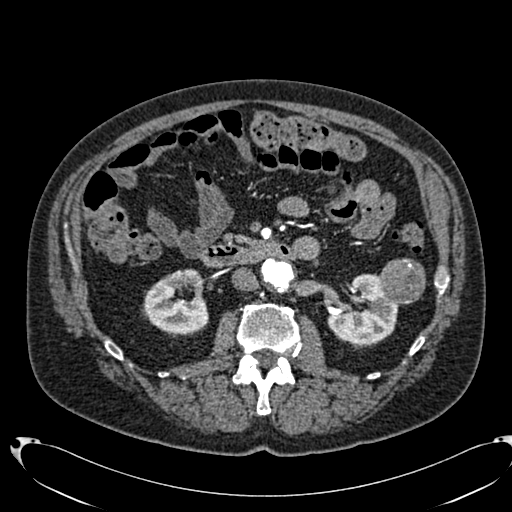
Axial slice 394 of 553 of a contrast-enhanced abdominal CT in the arterial phase (slice 1 is the lowest), 120 kVp, kernel B20f; 1.00 mm slice thickness and 0.773 mm pixels.
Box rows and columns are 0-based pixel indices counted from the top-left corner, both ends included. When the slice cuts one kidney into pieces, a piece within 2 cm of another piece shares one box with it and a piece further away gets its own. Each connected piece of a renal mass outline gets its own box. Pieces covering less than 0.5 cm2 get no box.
Two kidney boxes and one renal mass box on this slice; by box centre, from the image's left to its right: (1) Box rows 268–334, columns 143–208: right kidney (outlined area 3,220 px, about 19.3 cm2). (2) Left kidney at rows 274–344, columns 327–399 (outlined area 3,427 px, about 20.5 cm2). (3) Left renal mass at rows 258–304, columns 380–425 (outlined area 1,726 px, about 10.3 cm2).